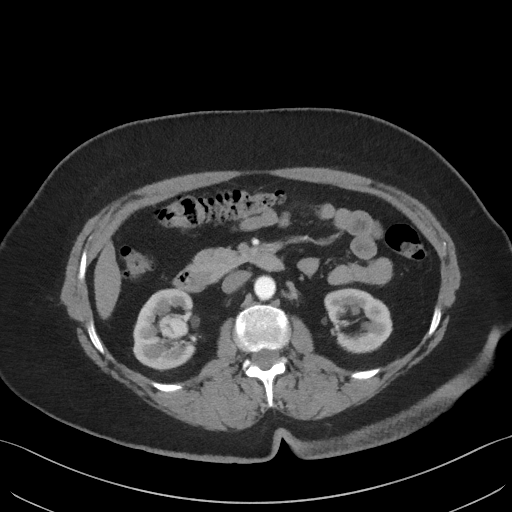
Abdominal CT with intravenous contrast, axial plane, 140 kVp, kernel I41f. Slice 26/69 from the bottom of the scan; thickness 3.00 mm; pixel size 0.736 mm.
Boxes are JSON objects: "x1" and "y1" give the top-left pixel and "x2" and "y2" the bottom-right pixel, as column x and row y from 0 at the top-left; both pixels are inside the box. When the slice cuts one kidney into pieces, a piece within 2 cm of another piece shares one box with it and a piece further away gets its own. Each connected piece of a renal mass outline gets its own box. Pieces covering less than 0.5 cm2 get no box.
Two kidney boxes and one renal mass box on this slice; by box centre, from the image's left to its right: (1) Right kidney, box {"x1": 132, "y1": 292, "x2": 197, "y2": 371} (outlined area 3,572 px, about 19.4 cm2). (2) Box {"x1": 158, "y1": 314, "x2": 188, "y2": 338}: right renal mass (outlined area 562 px, about 3.0 cm2). (3) Left kidney, box {"x1": 324, "y1": 288, "x2": 392, "y2": 353} (outlined area 3,192 px, about 17.3 cm2).